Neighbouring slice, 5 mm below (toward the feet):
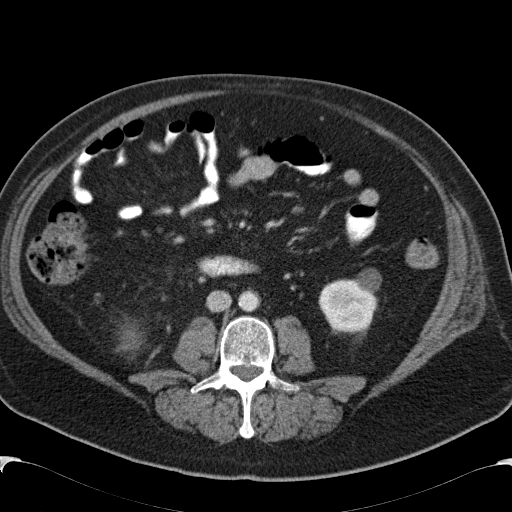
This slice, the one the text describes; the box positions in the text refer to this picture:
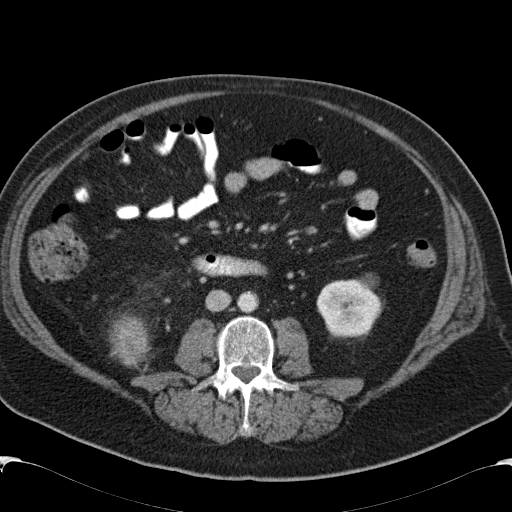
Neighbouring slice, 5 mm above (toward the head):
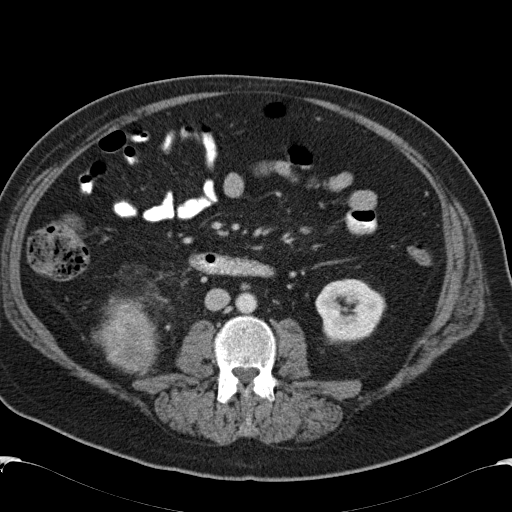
Axial slice 62 of 99 of a contrast-enhanced abdominal CT (slice 1 is the lowest), 120 kVp, kernel B31f; 5.00 mm slice thickness and 0.742 mm pixels.
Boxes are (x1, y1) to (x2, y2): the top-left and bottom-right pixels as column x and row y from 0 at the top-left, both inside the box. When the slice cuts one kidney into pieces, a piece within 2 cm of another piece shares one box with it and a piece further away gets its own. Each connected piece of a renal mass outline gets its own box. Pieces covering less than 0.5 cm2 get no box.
Boxed on this slice (one kidney box and one renal mass box), listed by box centre from the image's left to its right: (1) Right renal mass, box (112, 316) to (147, 366) (outlined area 1,490 px, about 8.2 cm2); here it is more than 1 cm from any kidney outline, though on another slice the same outlined renal mass lies within 1 cm of the kidney. (2) Box (316, 273) to (383, 338): left kidney (outlined area 3,212 px, about 17.7 cm2). This slice lies near the end of the right renal mass toward the feet; the slices 5 mm below and 5 mm above it are shown too, and the boxes mark positions on this slice only.